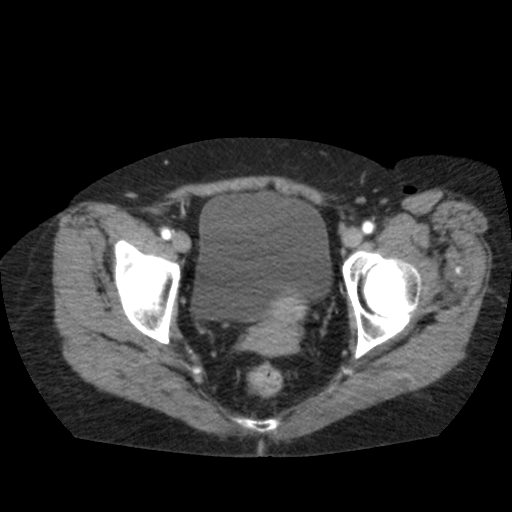
One axial slice (18 of 79, counting up from the lowest) of an arterial-phase abdominal CT acquired with 120 kVp, kernel FC11; each pixel is 0.686 mm and the slice is 5.00 mm thick.
Neither a kidney nor a renal mass is outlined here. Only kidneys and renal masses are outlined anywhere in this scan; other structures are never outlined.